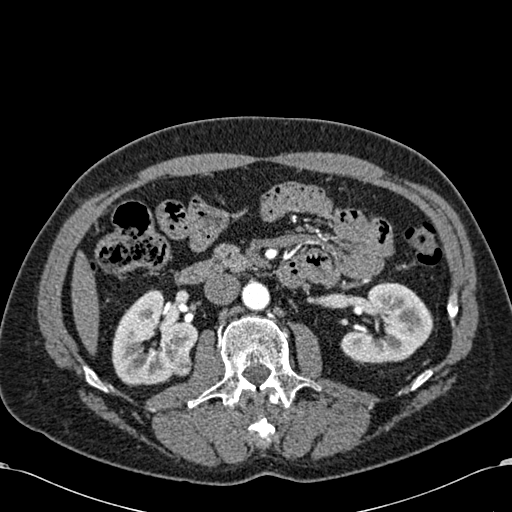
Arterial-phase contrast-enhanced abdominal CT, axial slice 344 of 581 (counted from the lowest slice); tube voltage 120 kVp, convolution kernel B30f; slices 1.00 mm thick, 0.713 mm per pixel.
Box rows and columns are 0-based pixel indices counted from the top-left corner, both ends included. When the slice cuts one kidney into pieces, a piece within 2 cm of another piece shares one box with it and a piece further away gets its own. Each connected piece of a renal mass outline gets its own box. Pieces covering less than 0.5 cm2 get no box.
Three boxes on this slice (two kidney boxes and one renal mass box), listed by box centre from the image's left to its right. (1) Right kidney at rows 289–386, columns 112–198 (outlined area 5,506 px, about 28.0 cm2). (2) Right renal mass at rows 351–377, columns 168–192 (outlined area 477 px, about 2.4 cm2). (3) Left kidney, box rows 282–363, columns 340–433 (outlined area 5,140 px, about 26.1 cm2).